Abdominal CT with intravenous contrast, arterial phase, axial plane, 120 kVp, kernel I26f. Slice 300/548 from the bottom of the scan; thickness 1.00 mm; pixel size 0.852 mm.
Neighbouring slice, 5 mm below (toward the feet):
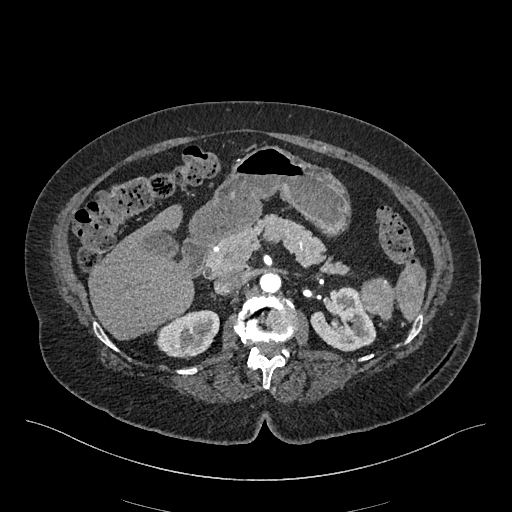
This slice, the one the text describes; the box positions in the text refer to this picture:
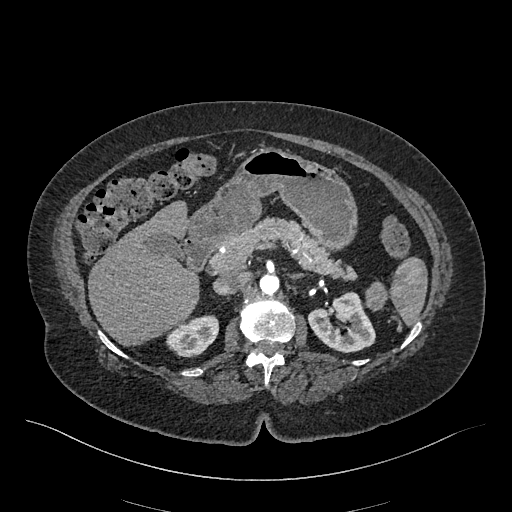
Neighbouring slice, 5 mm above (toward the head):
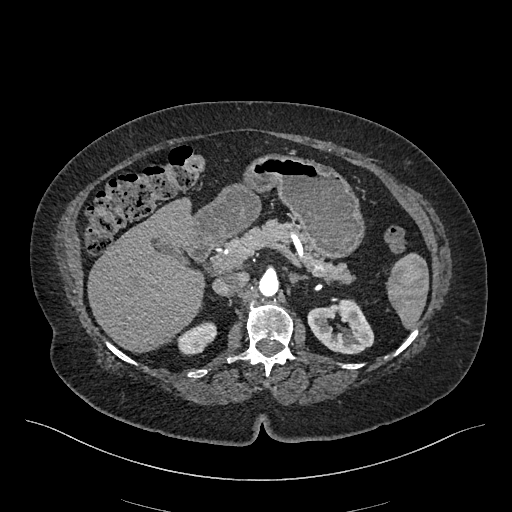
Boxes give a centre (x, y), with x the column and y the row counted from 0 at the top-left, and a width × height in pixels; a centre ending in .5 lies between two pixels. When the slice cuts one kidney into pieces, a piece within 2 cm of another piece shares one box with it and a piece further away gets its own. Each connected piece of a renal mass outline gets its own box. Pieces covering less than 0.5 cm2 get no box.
Two kidney boxes and one renal mass box on this slice; by box centre, from the image's left to its right: (1) Right kidney in a box with centre (192.5, 336), 54 × 43 pixels (outlined area 1,614 px, about 11.7 cm2). (2) Left kidney in a box with centre (341, 322), 69 × 63 pixels (outlined area 2,780 px, about 20.2 cm2). (3) Left renal mass, box centre (376, 296), 23 × 31 pixels (outlined area 520 px, about 3.8 cm2). This slice lies near the end of the left renal mass toward the head; the slices 5 mm below and 5 mm above it are shown too, and the boxes mark positions on this slice only.